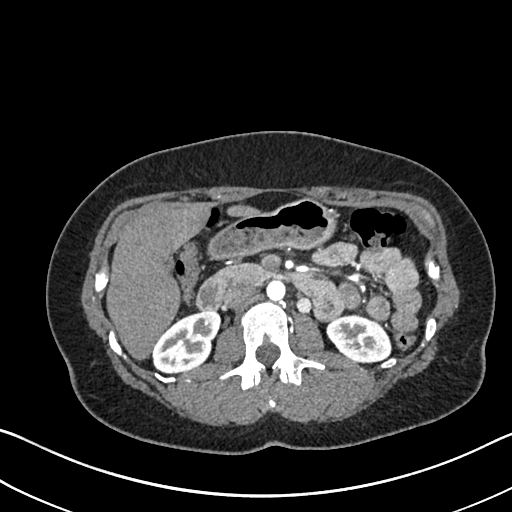
Arterial-phase contrast-enhanced abdominal CT, axial slice 403 of 612 (counted from the lowest slice); tube voltage 120 kVp, convolution kernel I30f; slices 1.00 mm thick, 0.703 mm per pixel.
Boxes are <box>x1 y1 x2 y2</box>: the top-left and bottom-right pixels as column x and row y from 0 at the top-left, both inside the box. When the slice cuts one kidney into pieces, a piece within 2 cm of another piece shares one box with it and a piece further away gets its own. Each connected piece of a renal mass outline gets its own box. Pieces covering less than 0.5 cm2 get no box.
Boxed on this slice (two kidney boxes), listed by box centre from the image's left to its right: (1) Right kidney at <box>152 309 220 373</box> (outlined area 2,999 px, about 14.8 cm2). (2) Left kidney: <box>326 313 391 363</box> (outlined area 2,424 px, about 12.0 cm2). This slice carries no renal mass outline.